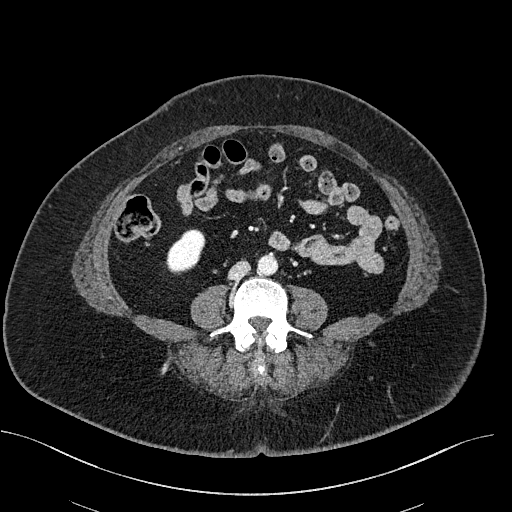
One axial slice (241 of 470, counting up from the lowest) of a contrast-enhanced abdominal CT acquired with 100 kVp, kernel I40f; each pixel is 0.824 mm and the slice is 2.00 mm thick.
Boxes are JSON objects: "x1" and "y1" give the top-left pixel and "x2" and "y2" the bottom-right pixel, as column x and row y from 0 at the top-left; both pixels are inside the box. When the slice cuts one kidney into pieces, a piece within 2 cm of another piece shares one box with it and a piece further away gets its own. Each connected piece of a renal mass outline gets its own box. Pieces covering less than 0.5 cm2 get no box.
Right kidney, box {"x1": 166, "y1": 229, "x2": 205, "y2": 273} (outlined area 1,239 px, about 8.4 cm2). No renal mass outline on this slice.